Abdominal CT with intravenous contrast, axial plane, 120 kVp, kernel STANDARD. Slice 26/103 from the bottom of the scan; thickness 2.50 mm; pixel size 0.820 mm.
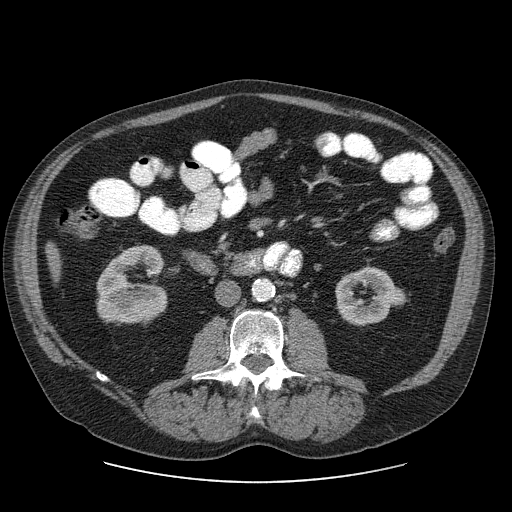
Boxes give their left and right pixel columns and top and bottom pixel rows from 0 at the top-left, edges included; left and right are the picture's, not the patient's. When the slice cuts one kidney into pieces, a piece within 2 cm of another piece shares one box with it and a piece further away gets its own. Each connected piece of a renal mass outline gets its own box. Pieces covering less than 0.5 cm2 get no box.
Boxed on this slice (two kidney boxes), listed by box centre from the image's left to its right: (1) Right kidney, the box with left 96, top 245, right 167, bottom 323 (outlined area 4,214 px, about 28.4 cm2). (2) Left kidney, the box with left 335, top 266, right 405, bottom 325 (outlined area 2,854 px, about 19.2 cm2). No renal mass outline on this slice.